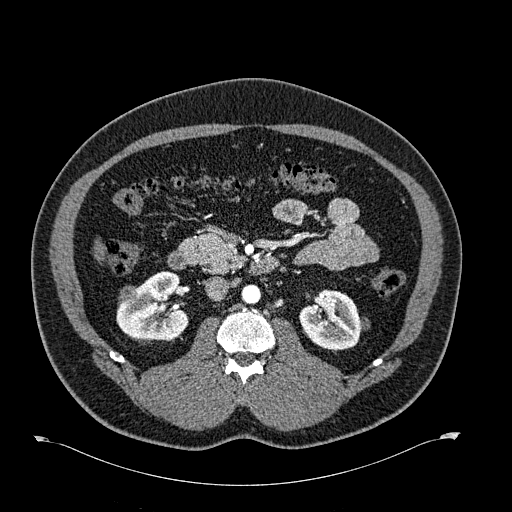
Axial slice 357 of 723 of a contrast-enhanced abdominal CT in the arterial phase (slice 1 is the lowest), 120 kVp, kernel B30f; 1.00 mm slice thickness and 0.895 mm pixels.
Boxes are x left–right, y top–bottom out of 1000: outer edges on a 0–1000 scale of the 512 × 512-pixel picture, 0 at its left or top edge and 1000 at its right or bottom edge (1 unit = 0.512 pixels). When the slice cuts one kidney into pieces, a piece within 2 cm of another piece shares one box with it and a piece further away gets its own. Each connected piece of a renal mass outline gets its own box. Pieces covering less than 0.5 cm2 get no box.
Two kidney boxes and one renal mass box on this slice; by box centre, from the image's left to its right: (1) Right renal mass, box x 230–273, y 557–598 out of 1000 (outlined area 338 px, about 2.7 cm2). (2) Right kidney, box x 227–371, y 529–670 out of 1000 (outlined area 3,583 px, about 28.7 cm2). (3) Left kidney, box x 584–723, y 564–686 out of 1000 (outlined area 3,009 px, about 24.1 cm2).